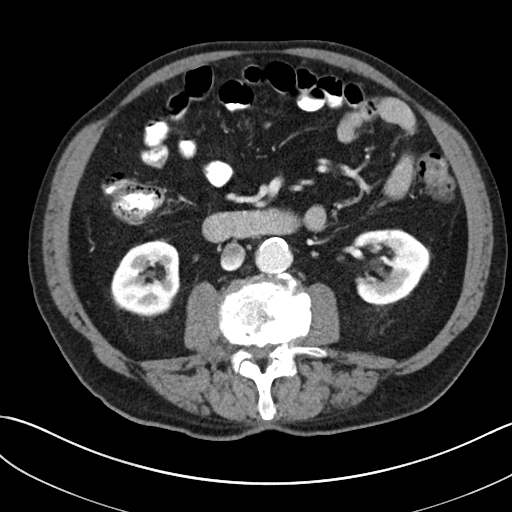
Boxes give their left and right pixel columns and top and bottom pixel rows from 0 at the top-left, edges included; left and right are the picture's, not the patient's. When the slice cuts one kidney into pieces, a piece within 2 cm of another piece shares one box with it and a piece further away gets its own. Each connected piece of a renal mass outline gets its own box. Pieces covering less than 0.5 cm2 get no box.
This is axial slice 117 of 269 (slice 1 is the lowest) of an abdominal CT with contrast; each pixel is 0.732 mm and the slice is 5.00 mm thick. Two boxes on this slice (two kidney boxes), listed by box centre from the image's left to its right. (1) Box with left 110, top 238, right 180, bottom 318: right kidney (outlined area 4,221 px, about 22.6 cm2). (2) Left kidney, the box with left 352, top 229, right 430, bottom 309 (outlined area 4,341 px, about 23.3 cm2). This slice carries no renal mass outline.
Tube voltage 100 kVp; convolution kernel I30f.